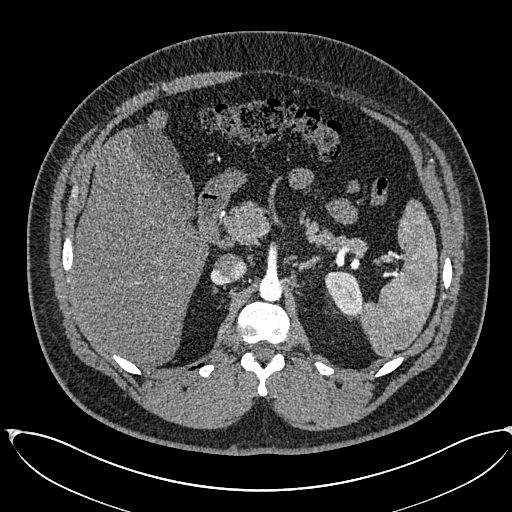
Arterial-phase contrast-enhanced abdominal CT, axial slice 423 of 673 (counted from the lowest slice); tube voltage 120 kVp, convolution kernel I30f; slices 1.00 mm thick, 0.855 mm per pixel.
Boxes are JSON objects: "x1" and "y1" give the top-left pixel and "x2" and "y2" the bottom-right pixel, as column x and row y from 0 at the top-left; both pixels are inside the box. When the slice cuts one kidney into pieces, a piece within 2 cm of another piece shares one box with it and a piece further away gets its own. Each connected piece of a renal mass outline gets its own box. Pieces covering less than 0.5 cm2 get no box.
Box {"x1": 324, "y1": 271, "x2": 363, "y2": 317}: left kidney (outlined area 1,291 px, about 9.4 cm2). No renal mass is outlined on this slice.